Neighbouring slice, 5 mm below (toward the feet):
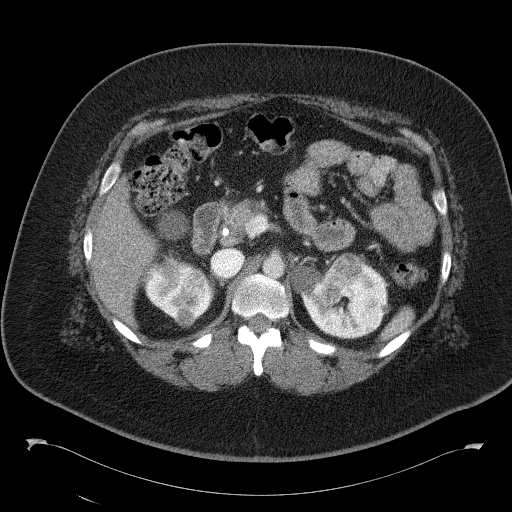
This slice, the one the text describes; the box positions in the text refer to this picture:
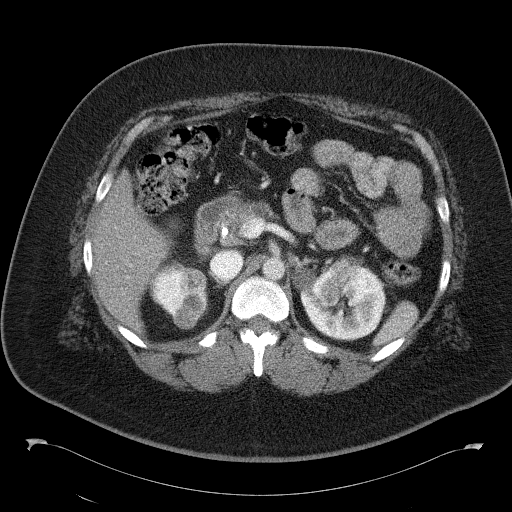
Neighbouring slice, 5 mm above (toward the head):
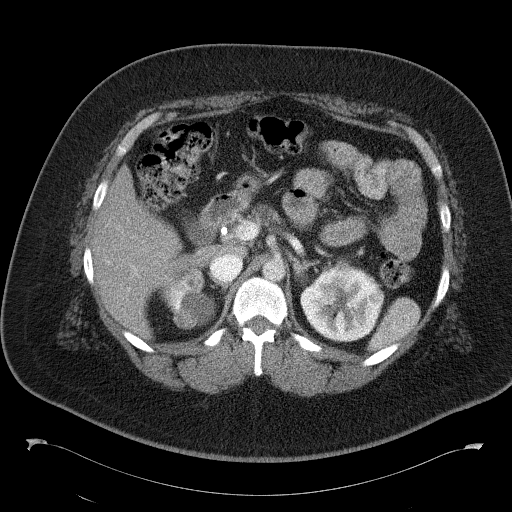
Axial slice 85 of 146 of a contrast-enhanced abdominal CT (slice 1 is the lowest), 120 kVp, kernel B41f; 5.00 mm slice thickness and 0.840 mm pixels.
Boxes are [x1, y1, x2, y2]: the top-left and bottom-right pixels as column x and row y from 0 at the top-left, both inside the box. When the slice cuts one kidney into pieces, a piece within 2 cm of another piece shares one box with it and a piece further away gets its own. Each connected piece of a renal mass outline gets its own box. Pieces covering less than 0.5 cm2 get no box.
Six boxes on this slice (three kidney boxes and three renal mass boxes), listed by box centre from the image's left to its right. (1) Kidney (one of two boxed parts), box [168, 220, 178, 229] (outlined area 71 px, about 0.5 cm2). (2) Kidney (one of two boxed parts) at [149, 260, 206, 316] (outlined area 1,732 px, about 12.2 cm2). (3) Box [172, 307, 199, 329]: renal mass (outlined area 466 px, about 3.3 cm2). (4) Renal mass, box [178, 267, 206, 292] (outlined area 595 px, about 4.2 cm2). (5) Kidney at [290, 264, 384, 340] (outlined area 4,440 px, about 31.3 cm2). (6) Renal mass at [318, 255, 360, 305] (outlined area 1,192 px, about 8.4 cm2). This slice is near the end of a renal mass toward the head, so the slices 5 mm below and 5 mm above it are shown as well; the boxes refer to this slice only.